Abdominal CT with intravenous contrast, arterial phase, axial plane, 120 kVp, kernel B20f. Slice 513/634 from the bottom of the scan; thickness 1.00 mm; pixel size 0.838 mm.
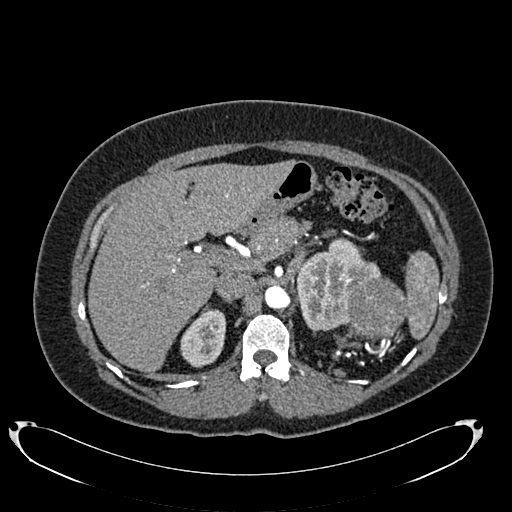
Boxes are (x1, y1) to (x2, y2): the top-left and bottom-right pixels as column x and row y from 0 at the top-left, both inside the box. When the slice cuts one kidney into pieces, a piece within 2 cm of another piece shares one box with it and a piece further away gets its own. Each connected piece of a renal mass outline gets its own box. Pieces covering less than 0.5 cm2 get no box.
Two kidney boxes and one renal mass box on this slice; by box centre, from the image's left to its right: (1) Right kidney, box (180, 309) to (226, 367) (outlined area 1,996 px, about 14.0 cm2). (2) Left kidney from (296, 237) to (381, 331) (outlined area 4,740 px, about 33.3 cm2). (3) Left renal mass from (347, 276) to (407, 338) (outlined area 2,921 px, about 20.5 cm2).